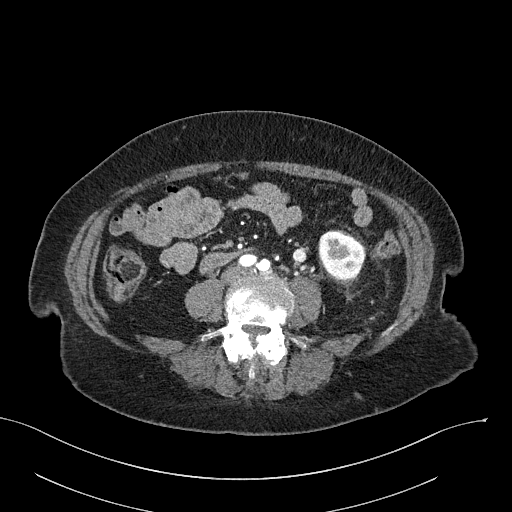
Axial slice 77 of 316 of a contrast-enhanced abdominal CT in the arterial phase (slice 1 is the lowest), 100 kVp, kernel I40f; 2.00 mm slice thickness and 0.840 mm pixels.
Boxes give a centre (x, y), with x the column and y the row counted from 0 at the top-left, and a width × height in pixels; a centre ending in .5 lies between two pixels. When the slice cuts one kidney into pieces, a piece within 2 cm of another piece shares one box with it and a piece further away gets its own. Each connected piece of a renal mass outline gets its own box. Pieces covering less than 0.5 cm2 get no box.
Left kidney, box centre (341.5, 255.5), 46 × 50 pixels (outlined area 1,747 px, about 12.3 cm2). No renal mass is outlined on this slice.